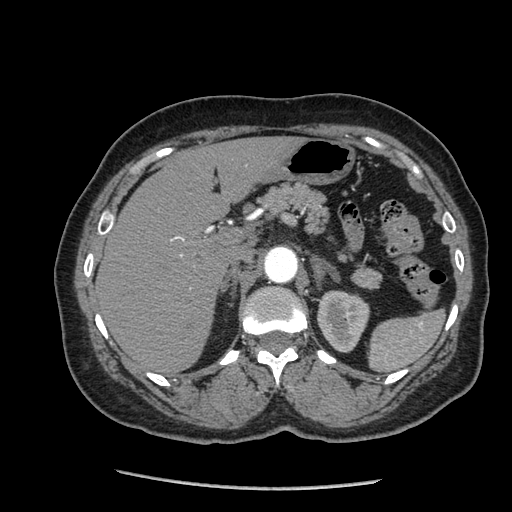
One axial slice (157 of 233, counting up from the lowest) of an arterial-phase abdominal CT acquired with 120 kVp, kernel STANDARD; each pixel is 0.703 mm and the slice is 1.25 mm thick.
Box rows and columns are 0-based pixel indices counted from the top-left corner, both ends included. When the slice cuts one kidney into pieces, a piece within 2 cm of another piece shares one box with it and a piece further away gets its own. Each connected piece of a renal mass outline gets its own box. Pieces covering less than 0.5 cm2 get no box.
Left kidney, box rows 290–352, columns 317–370 (outlined area 2,499 px, about 12.4 cm2). No renal mass is outlined on this slice.